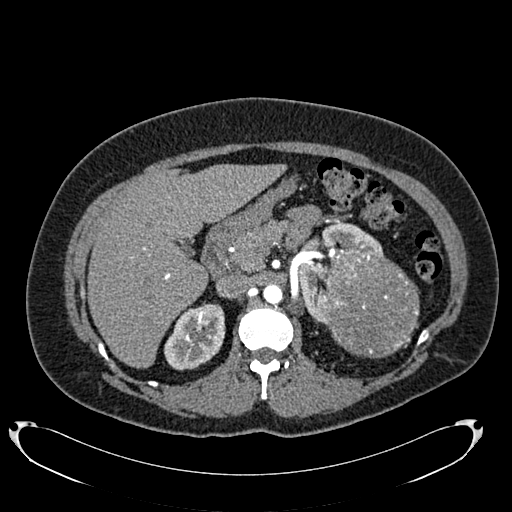
One axial slice (483 of 634, counting up from the lowest) of an arterial-phase abdominal CT acquired with 120 kVp, kernel B20f; each pixel is 0.838 mm and the slice is 1.00 mm thick.
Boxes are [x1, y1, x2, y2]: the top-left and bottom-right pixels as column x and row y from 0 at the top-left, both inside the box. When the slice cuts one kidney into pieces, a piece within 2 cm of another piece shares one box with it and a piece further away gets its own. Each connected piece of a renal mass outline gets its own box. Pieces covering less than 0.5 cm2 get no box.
Boxed on this slice (two kidney boxes and one renal mass box), listed by box centre from the image's left to its right: (1) Right kidney, box [164, 303, 225, 370] (outlined area 3,022 px, about 21.2 cm2). (2) Left kidney at [296, 222, 383, 326] (outlined area 3,757 px, about 26.4 cm2). (3) Left renal mass, box [326, 255, 419, 357] (outlined area 7,707 px, about 54.1 cm2).